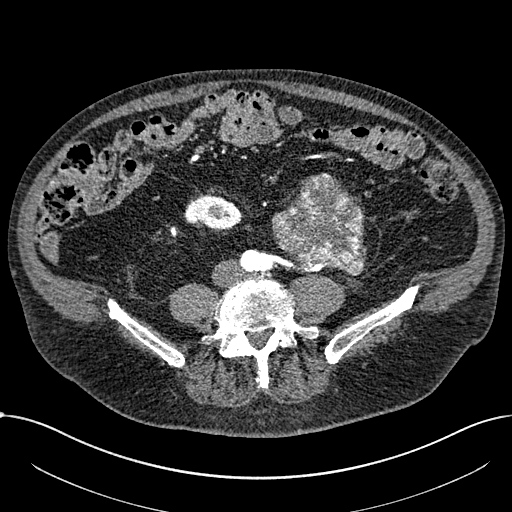
Axial slice 214 of 1059 of a contrast-enhanced abdominal CT in the arterial phase (slice 1 is the lowest), 100 kVp, kernel I30f; 1.00 mm slice thickness and 0.811 mm pixels.
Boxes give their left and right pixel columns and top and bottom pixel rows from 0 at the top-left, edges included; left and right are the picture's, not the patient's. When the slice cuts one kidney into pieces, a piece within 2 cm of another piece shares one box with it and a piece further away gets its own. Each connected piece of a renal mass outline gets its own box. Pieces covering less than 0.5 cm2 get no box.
Boxed on this slice (one kidney box and one renal mass box), listed by box centre from the image's left to its right: (1) Right part of the midline-crossing kidney, the box with left 184, top 193, right 241, bottom 228 (outlined area 1,549 px, about 10.2 cm2). (2) Renal mass in the box with left 271, top 173, right 366, bottom 275 (outlined area 6,887 px, about 45.2 cm2); on this slice it lies more than 1 cm from any kidney outline, but the same outlined renal mass comes within 1 cm of the kidney on another slice.